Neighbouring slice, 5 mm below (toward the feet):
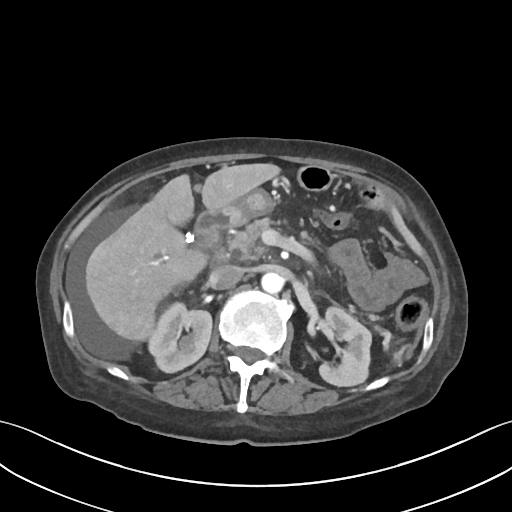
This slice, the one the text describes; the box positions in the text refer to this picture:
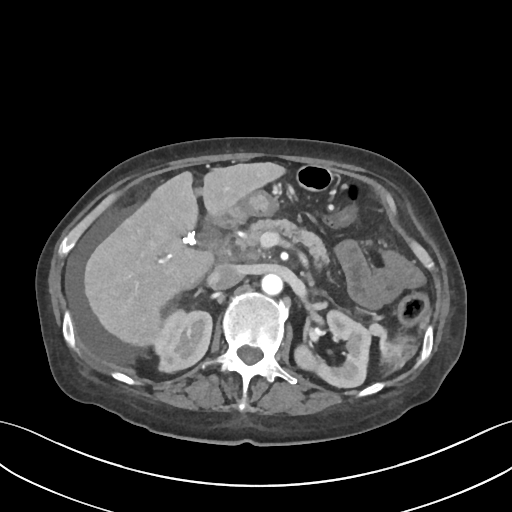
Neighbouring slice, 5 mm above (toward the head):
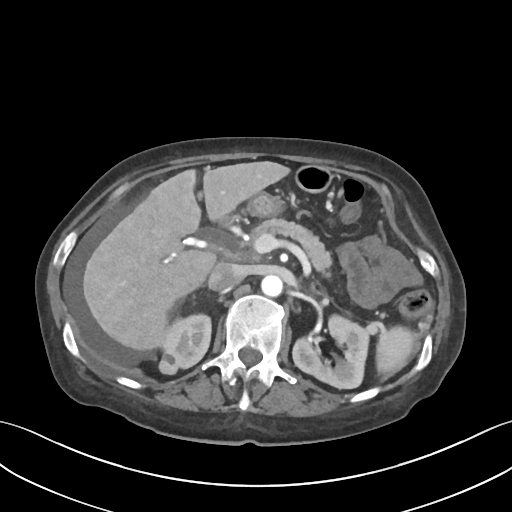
One axial slice (51 of 109, counting up from the lowest) of a contrast-enhanced abdominal CT acquired with 120 kVp, kernel I30f; each pixel is 0.742 mm and the slice is 3.00 mm thick.
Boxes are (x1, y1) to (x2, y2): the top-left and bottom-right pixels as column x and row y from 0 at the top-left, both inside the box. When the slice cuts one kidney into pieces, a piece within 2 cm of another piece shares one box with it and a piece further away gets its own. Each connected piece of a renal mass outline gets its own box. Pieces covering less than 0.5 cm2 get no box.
Boxed on this slice (two kidney boxes and one renal mass box), listed by box centre from the image's left to its right: (1) Right renal mass, box (157, 363) to (167, 373) (outlined area 91 px, about 0.5 cm2). (2) Right kidney, box (152, 305) to (213, 373) (outlined area 2,986 px, about 16.4 cm2). (3) Box (294, 309) to (371, 388): left kidney (outlined area 3,342 px, about 18.4 cm2). This slice lies near the end of the right renal mass toward the feet; the slices 5 mm below and 5 mm above it are shown too, and the boxes mark positions on this slice only.